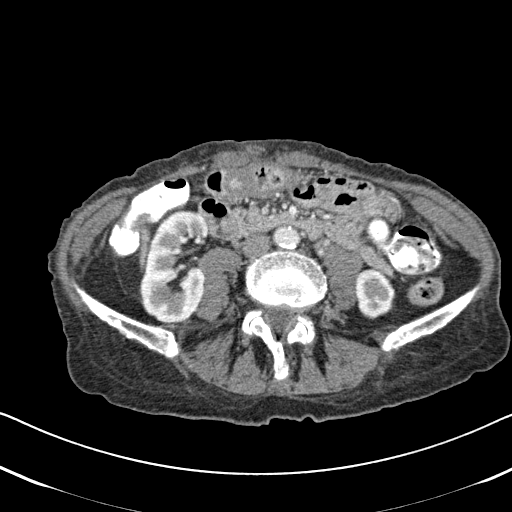
Abdominal CT with intravenous contrast, arterial phase, axial plane, 120 kVp, kernel B31f. Slice 244/620 from the bottom of the scan; thickness 2.00 mm; pixel size 0.637 mm.
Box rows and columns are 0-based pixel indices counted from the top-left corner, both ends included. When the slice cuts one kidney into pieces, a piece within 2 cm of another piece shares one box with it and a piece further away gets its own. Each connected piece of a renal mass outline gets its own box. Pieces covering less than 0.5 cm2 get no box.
Two kidney boxes on this slice; by box centre, from the image's left to its right: (1) Right kidney at rows 209–324, columns 139–209 (outlined area 6,054 px, about 24.5 cm2). (2) Left kidney, box rows 268–319, columns 355–395 (outlined area 1,588 px, about 6.4 cm2). No renal mass outline on this slice.